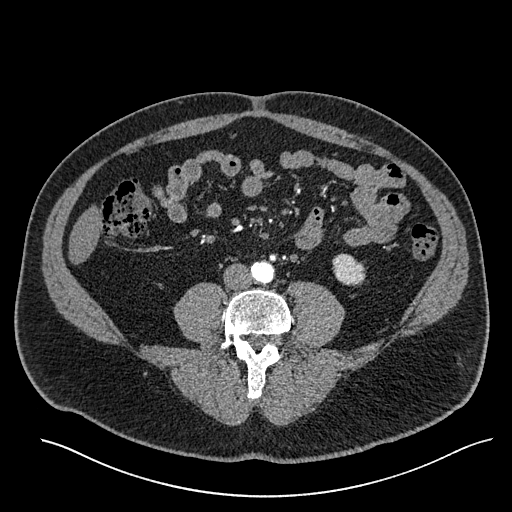
One axial slice (186 of 527, counting up from the lowest) of an arterial-phase abdominal CT acquired with 120 kVp, kernel I30f; each pixel is 0.859 mm and the slice is 1.00 mm thick.
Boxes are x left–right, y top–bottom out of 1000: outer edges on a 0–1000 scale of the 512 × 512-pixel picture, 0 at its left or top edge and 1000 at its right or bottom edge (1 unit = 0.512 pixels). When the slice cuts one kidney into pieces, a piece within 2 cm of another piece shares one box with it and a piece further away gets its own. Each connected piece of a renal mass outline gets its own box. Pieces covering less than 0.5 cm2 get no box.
Box x 648–715, y 494–561 out of 1000: left kidney (outlined area 850 px, about 6.3 cm2). This slice carries no renal mass outline.